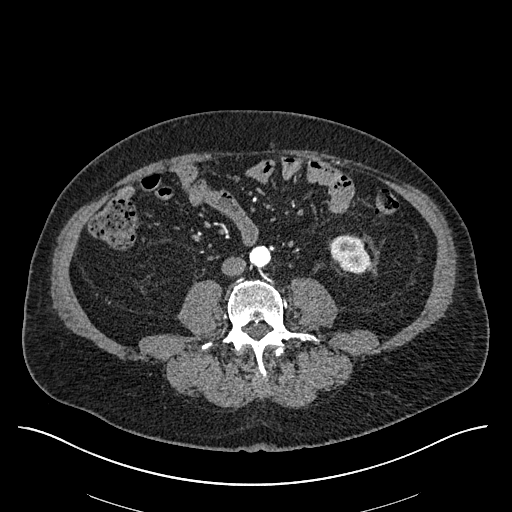
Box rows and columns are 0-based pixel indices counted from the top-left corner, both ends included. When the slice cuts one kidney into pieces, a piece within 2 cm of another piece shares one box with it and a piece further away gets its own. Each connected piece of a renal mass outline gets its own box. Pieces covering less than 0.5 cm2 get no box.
Slice 213/670 of a contrast-enhanced abdominal CT in the arterial phase, counting up from the lowest; pixel size 0.861 mm, slice thickness 1.00 mm. Left kidney, box rows 235–273, columns 330–372 (outlined area 1,211 px, about 9.0 cm2). No renal mass outline on this slice.
Tube voltage 120 kVp; convolution kernel I30f.